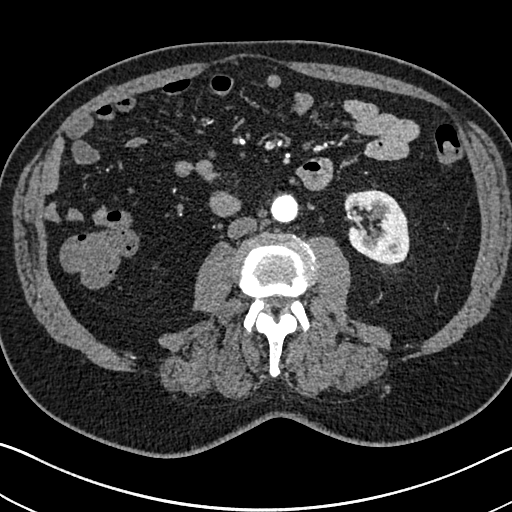
Abdominal CT with intravenous contrast, arterial phase, axial plane, 120 kVp, kernel I30f. Slice 330/705 from the bottom of the scan; thickness 1.00 mm; pixel size 0.703 mm.
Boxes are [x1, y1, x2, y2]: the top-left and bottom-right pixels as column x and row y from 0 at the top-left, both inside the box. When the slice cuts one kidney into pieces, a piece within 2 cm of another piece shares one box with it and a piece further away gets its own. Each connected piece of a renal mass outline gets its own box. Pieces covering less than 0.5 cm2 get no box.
Left kidney, box [344, 189, 409, 264] (outlined area 3,813 px, about 18.9 cm2). This slice carries no renal mass outline.